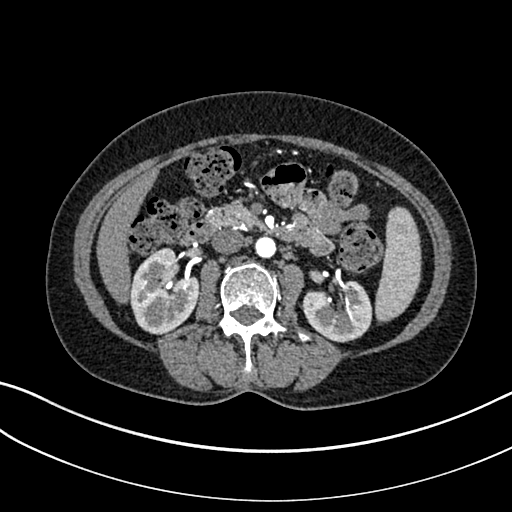
Arterial-phase contrast-enhanced abdominal CT, axial slice 154 of 325 (counted from the lowest slice); tube voltage 100 kVp, convolution kernel I30f; slices 1.00 mm thick, 0.703 mm per pixel.
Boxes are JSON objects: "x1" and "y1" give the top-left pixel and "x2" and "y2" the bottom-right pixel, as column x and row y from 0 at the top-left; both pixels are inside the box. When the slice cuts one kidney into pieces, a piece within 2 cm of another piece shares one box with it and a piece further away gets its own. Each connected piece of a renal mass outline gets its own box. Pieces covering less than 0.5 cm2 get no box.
Two boxes on this slice (two kidney boxes), listed by box centre from the image's left to its right. (1) Box {"x1": 130, "y1": 248, "x2": 199, "y2": 334}: right kidney (outlined area 4,359 px, about 21.6 cm2). (2) Left kidney, box {"x1": 301, "y1": 280, "x2": 372, "y2": 342} (outlined area 3,212 px, about 15.9 cm2). This slice carries no renal mass outline.